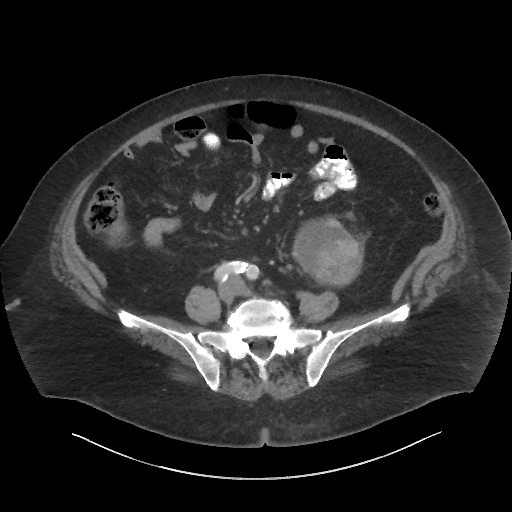
One axial slice (10 of 86, counting up from the lowest) of a contrast-enhanced abdominal CT acquired with 140 kVp, kernel I44f; each pixel is 0.977 mm and the slice is 3.00 mm thick.
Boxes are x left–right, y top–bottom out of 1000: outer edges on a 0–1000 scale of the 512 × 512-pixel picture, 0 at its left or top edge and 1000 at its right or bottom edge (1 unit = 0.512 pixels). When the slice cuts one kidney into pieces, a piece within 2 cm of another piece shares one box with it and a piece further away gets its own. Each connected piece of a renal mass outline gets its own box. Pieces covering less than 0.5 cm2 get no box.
Left renal mass at x 568–711, y 420–559 out of 1000 (outlined area 3,790 px, about 36.1 cm2); this slice has no kidney outline, though on another slice the same outlined renal mass lies within 1 cm of the kidney.